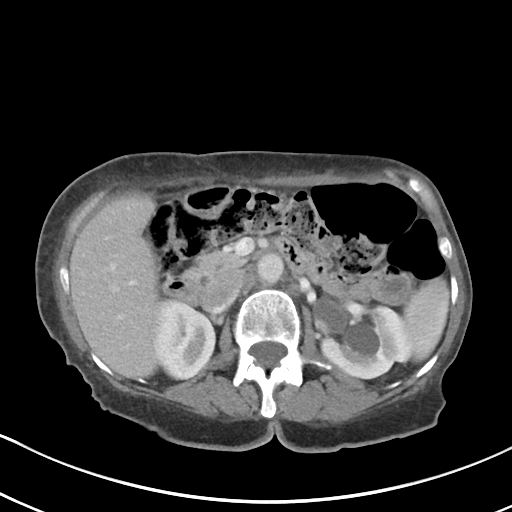
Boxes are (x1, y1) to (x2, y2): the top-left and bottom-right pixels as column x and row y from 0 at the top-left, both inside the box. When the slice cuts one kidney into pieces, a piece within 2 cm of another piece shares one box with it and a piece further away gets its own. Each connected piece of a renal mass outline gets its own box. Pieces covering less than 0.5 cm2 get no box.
Arterial-phase contrast-enhanced abdominal CT, axial slice 60 of 80 (counted from the lowest slice); 5.00 mm thick, 0.648 mm per pixel. Two kidney boxes on this slice; by box centre, from the image's left to its right: (1) Box (152, 300) to (214, 379): right kidney (outlined area 3,760 px, about 15.8 cm2). (2) Left kidney from (314, 296) to (411, 379) (outlined area 5,071 px, about 21.3 cm2). This slice carries no renal mass outline.
Tube voltage 100 kVp; convolution kernel I40f.